Contrast-enhanced abdominal CT, axial slice 102 of 197 (counted from the lowest slice); tube voltage 120 kVp, convolution kernel I30f; slices 5.00 mm thick, 0.791 mm per pixel.
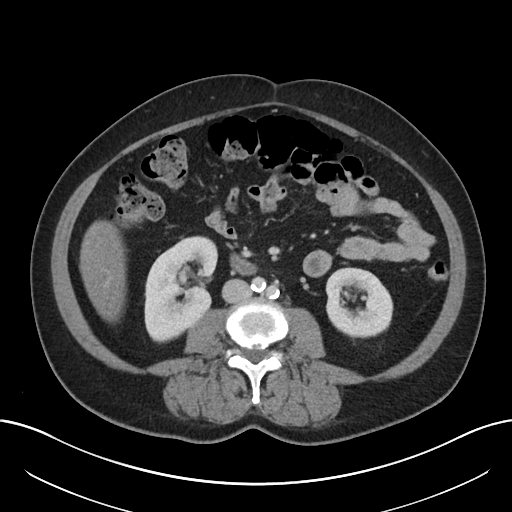
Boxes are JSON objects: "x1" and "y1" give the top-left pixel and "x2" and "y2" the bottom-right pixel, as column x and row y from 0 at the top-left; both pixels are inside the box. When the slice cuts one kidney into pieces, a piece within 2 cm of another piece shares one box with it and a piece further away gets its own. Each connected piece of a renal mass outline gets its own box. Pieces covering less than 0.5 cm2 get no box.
Boxed on this slice (two kidney boxes), listed by box centre from the image's left to its right: (1) Right kidney at {"x1": 144, "y1": 235, "x2": 217, "y2": 343} (outlined area 5,824 px, about 36.4 cm2). (2) Left kidney, box {"x1": 325, "y1": 267, "x2": 393, "y2": 339} (outlined area 3,789 px, about 23.7 cm2). No renal mass outline on this slice.